Abdominal CT with intravenous contrast, arterial phase, axial plane, 140 kVp, kernel I30f. Slice 502/591 from the bottom of the scan; thickness 1.00 mm; pixel size 0.703 mm.
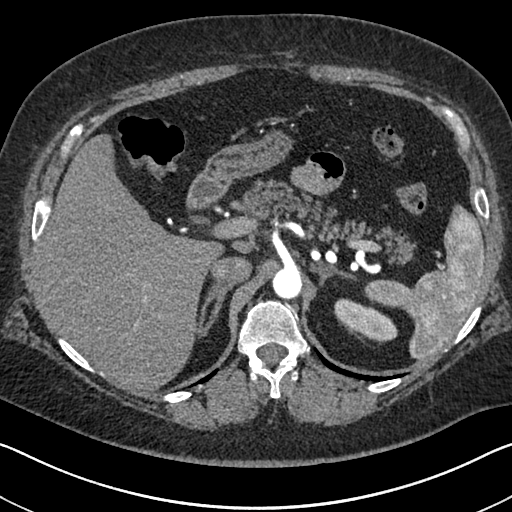
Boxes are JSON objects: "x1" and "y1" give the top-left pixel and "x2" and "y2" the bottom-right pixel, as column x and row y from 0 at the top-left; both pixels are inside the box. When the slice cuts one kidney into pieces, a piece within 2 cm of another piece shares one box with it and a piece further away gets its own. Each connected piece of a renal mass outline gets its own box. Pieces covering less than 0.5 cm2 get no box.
Box {"x1": 334, "y1": 298, "x2": 397, "y2": 341}: left kidney (outlined area 1,646 px, about 8.1 cm2). This slice carries no renal mass outline.